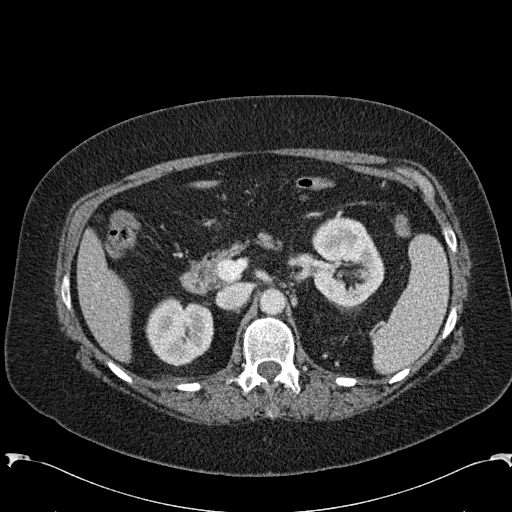
Axial slice 156 of 285 of a contrast-enhanced abdominal CT in the arterial phase (slice 1 is the lowest), 120 kVp, kernel B31f; 2.00 mm slice thickness and 0.762 mm pixels.
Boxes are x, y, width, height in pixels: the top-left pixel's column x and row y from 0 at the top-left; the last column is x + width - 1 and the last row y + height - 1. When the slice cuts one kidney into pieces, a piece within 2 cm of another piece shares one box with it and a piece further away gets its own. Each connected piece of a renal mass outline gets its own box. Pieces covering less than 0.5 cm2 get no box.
Boxed on this slice (two kidney boxes), listed by box centre from the image's left to its right: (1) Right kidney, box x 145, y 296, width 70, height 71 (outlined area 3,616 px, about 21.0 cm2). (2) Left kidney, box x 311, y 217, width 74, height 90 (outlined area 5,019 px, about 29.1 cm2). This slice carries no renal mass outline.